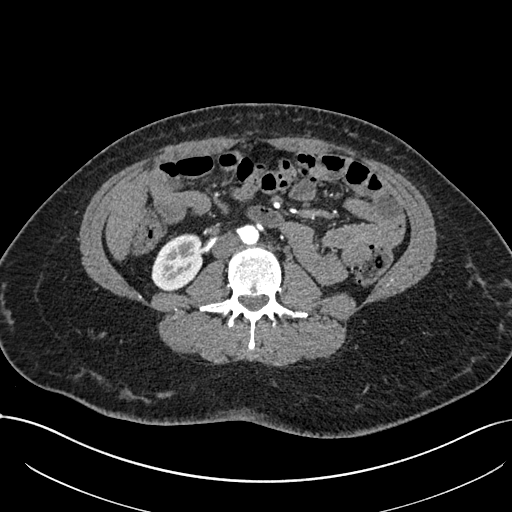
Axial slice 334 of 738 of a contrast-enhanced abdominal CT in the arterial phase (slice 1 is the lowest), 120 kVp, kernel I30f; 1.00 mm slice thickness and 0.789 mm pixels.
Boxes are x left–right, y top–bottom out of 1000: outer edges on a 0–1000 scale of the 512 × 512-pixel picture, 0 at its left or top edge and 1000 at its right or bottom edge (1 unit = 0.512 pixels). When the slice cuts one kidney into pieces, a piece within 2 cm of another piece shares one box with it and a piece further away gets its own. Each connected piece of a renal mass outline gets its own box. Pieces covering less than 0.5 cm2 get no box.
Right kidney, box x 295–396, y 455–570 out of 1000 (outlined area 2,243 px, about 14.0 cm2). This slice carries no renal mass outline.